Arterial-phase contrast-enhanced abdominal CT, axial slice 109 of 234 (counted from the lowest slice); tube voltage 100 kVp, convolution kernel I40f; slices 2.00 mm thick, 0.699 mm per pixel.
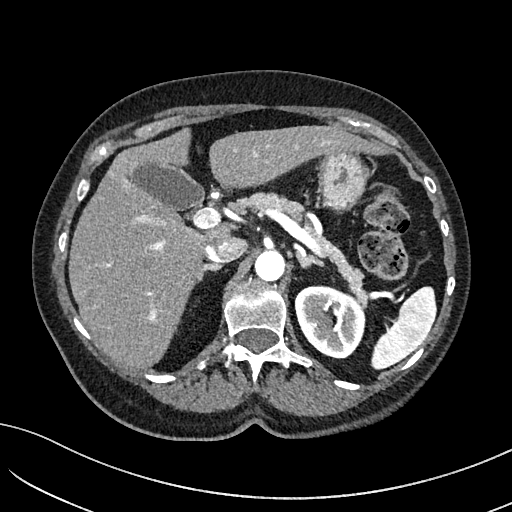
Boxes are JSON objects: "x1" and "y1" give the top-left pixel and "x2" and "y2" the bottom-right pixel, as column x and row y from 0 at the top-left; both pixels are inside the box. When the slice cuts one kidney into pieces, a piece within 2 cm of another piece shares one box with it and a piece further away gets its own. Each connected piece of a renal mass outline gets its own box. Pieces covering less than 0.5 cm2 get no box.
Left kidney, box {"x1": 294, "y1": 285, "x2": 365, "y2": 358} (outlined area 3,960 px, about 19.4 cm2). No renal mass is outlined on this slice.